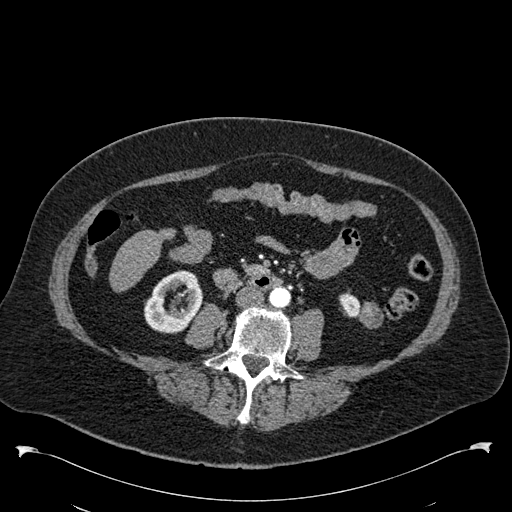
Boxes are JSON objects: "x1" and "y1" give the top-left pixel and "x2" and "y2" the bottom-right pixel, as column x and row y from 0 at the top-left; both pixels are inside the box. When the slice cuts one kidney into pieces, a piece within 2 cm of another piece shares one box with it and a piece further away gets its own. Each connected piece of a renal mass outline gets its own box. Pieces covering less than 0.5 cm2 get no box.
Arterial-phase contrast-enhanced abdominal CT, axial slice 232 of 538 (counted from the lowest slice); 1.00 mm thick, 0.811 mm per pixel. Three boxes on this slice (two kidney boxes and one renal mass box), listed by box centre from the image's left to its right. (1) Right kidney at {"x1": 144, "y1": 270, "x2": 202, "y2": 333} (outlined area 2,574 px, about 16.9 cm2). (2) Box {"x1": 338, "y1": 291, "x2": 360, "y2": 317}: left kidney (outlined area 434 px, about 2.9 cm2). (3) Left renal mass at {"x1": 358, "y1": 302, "x2": 383, "y2": 328} (outlined area 516 px, about 3.4 cm2).
Acquired at 120 kVp and reconstructed with the B30f kernel.